Abdominal CT with intravenous contrast, arterial phase, axial plane, 140 kVp, kernel I41f. Slice 42/61 from the bottom of the scan; thickness 3.00 mm; pixel size 0.947 mm.
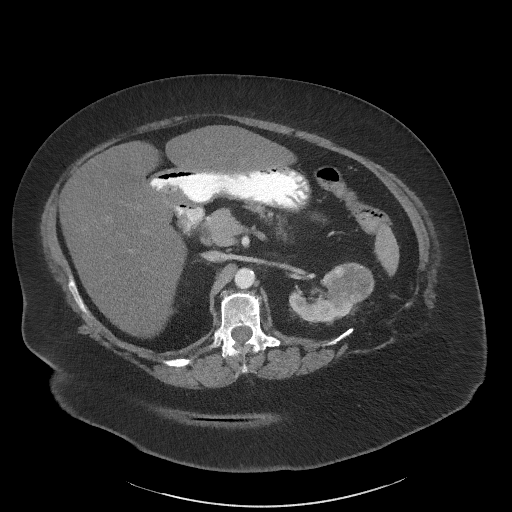
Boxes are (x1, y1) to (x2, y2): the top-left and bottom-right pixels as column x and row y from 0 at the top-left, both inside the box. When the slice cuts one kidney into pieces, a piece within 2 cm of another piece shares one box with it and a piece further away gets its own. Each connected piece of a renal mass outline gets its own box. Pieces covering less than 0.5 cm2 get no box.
One kidney box and one renal mass box on this slice; by box centre, from the image's left to its right: (1) Box (289, 278) to (339, 322): left kidney (outlined area 1,325 px, about 11.9 cm2). (2) Left renal mass, box (321, 262) to (374, 318) (outlined area 1,983 px, about 17.8 cm2).